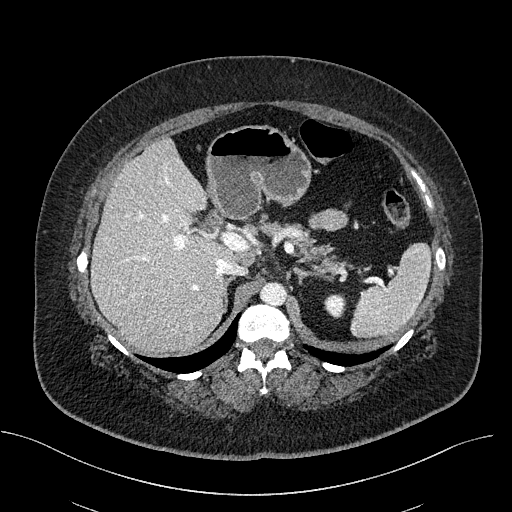
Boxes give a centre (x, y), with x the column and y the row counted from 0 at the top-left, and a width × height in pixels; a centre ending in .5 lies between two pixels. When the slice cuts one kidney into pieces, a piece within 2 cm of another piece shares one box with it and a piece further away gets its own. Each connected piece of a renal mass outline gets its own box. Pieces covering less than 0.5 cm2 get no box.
Contrast-enhanced abdominal CT, axial slice 346 of 470 (counted from the lowest slice); 2.00 mm thick, 0.824 mm per pixel. Box centre (335, 306), 23 × 25 pixels: left kidney (outlined area 429 px, about 2.9 cm2). No renal mass outline on this slice.
Tube voltage 100 kVp; convolution kernel I40f.